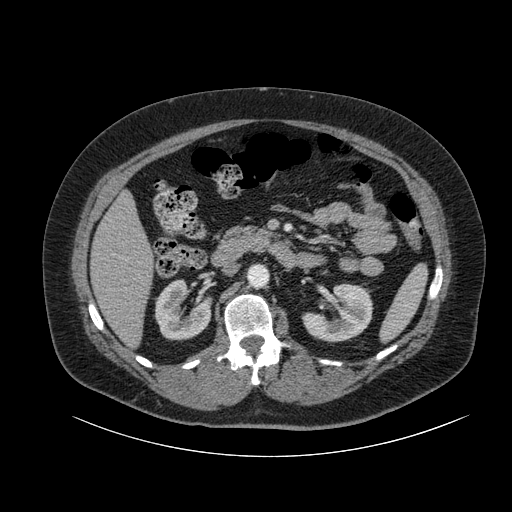
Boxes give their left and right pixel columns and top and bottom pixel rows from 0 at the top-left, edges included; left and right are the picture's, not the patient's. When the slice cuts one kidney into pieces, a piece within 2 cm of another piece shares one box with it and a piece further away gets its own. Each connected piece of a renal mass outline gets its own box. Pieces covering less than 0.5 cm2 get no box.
Slice 50/105 of a contrast-enhanced abdominal CT, counting up from the lowest; pixel size 0.977 mm, slice thickness 3.00 mm. Two kidney boxes on this slice; by box centre, from the image's left to its right: (1) Box with left 154, top 279, right 212, bottom 340: right kidney (outlined area 2,563 px, about 24.4 cm2). (2) Left kidney in the box with left 301, top 283, right 373, bottom 342 (outlined area 2,930 px, about 27.9 cm2). This slice carries no renal mass outline.
Acquired at 120 kVp and reconstructed with the B kernel.